Abdominal CT with intravenous contrast, arterial phase, axial plane, 120 kVp, kernel I26f. Slice 149/548 from the bottom of the scan; thickness 1.00 mm; pixel size 0.852 mm.
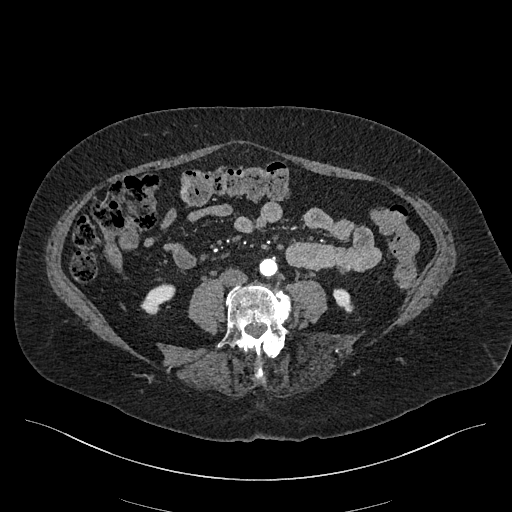
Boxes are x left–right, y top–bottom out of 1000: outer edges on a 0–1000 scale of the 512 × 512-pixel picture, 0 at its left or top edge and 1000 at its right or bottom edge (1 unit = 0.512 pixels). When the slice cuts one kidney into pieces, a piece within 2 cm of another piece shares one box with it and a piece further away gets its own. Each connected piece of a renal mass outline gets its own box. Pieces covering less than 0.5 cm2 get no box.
Boxed on this slice (two kidney boxes), listed by box centre from the image's left to its right: (1) Box x 273–344, y 553–615 out of 1000: right kidney (outlined area 642 px, about 4.7 cm2). (2) Box x 650–691, y 563–611 out of 1000: left kidney (outlined area 334 px, about 2.4 cm2). No renal mass is outlined on this slice.